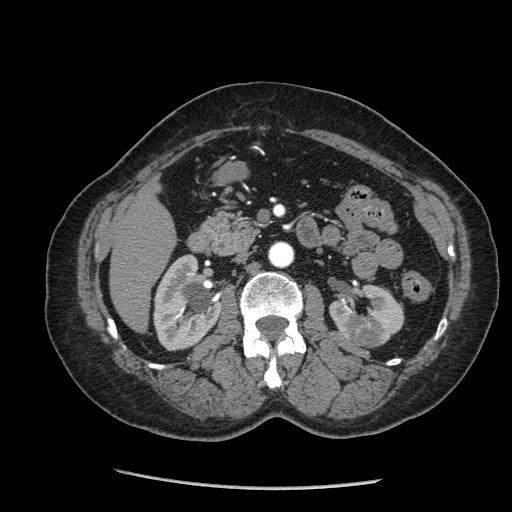
Arterial-phase contrast-enhanced abdominal CT, axial slice 123 of 233 (counted from the lowest slice); tube voltage 120 kVp, convolution kernel STANDARD; slices 1.25 mm thick, 0.703 mm per pixel.
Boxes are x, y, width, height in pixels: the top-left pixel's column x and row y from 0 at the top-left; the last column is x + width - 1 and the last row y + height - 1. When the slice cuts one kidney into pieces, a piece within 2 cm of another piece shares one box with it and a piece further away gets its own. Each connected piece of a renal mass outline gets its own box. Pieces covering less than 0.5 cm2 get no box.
Three boxes on this slice (two kidney boxes and one renal mass box), listed by box centre from the image's left to its right. (1) Right kidney, box x 153, y 254, width 70, height 98 (outlined area 4,796 px, about 23.7 cm2). (2) Box x 348, y 316, width 36, height 33: left renal mass (outlined area 935 px, about 4.6 cm2). (3) Box x 329, y 283, width 76, height 61: left kidney (outlined area 2,351 px, about 11.6 cm2).